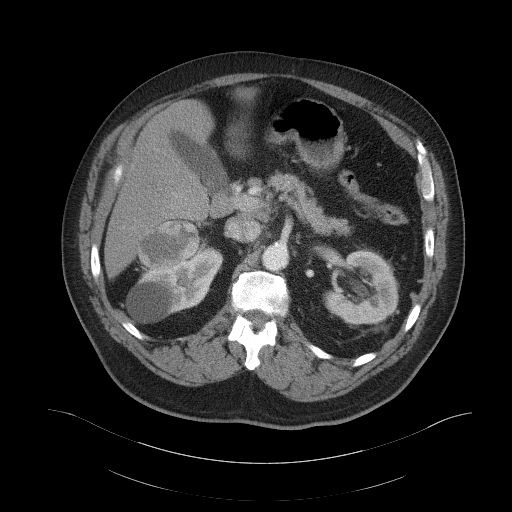
Abdominal CT with intravenous contrast, arterial phase, axial plane, 120 kVp, kernel B41f. Slice 77/103 from the bottom of the scan; thickness 5.00 mm; pixel size 0.951 mm.
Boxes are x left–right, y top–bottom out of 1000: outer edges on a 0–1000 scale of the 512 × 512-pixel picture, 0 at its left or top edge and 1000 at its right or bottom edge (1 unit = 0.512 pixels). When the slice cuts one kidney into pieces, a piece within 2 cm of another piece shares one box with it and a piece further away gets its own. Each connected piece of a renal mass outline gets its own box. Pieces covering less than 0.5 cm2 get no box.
Three boxes on this slice (two kidney boxes and one renal mass box), listed by box centre from the image's left to its right. (1) Right renal mass at x 264–391, y 426–525 out of 1000 (outlined area 2,478 px, about 22.4 cm2). (2) Right kidney at x 246–438, y 473–631 out of 1000 (outlined area 4,329 px, about 39.2 cm2). (3) Left kidney, box x 631–779, y 486–637 out of 1000 (outlined area 4,206 px, about 38.1 cm2).